One axial slice (535 of 738, counting up from the lowest) of an arterial-phase abdominal CT acquired with 120 kVp, kernel I30f; each pixel is 0.789 mm and the slice is 1.00 mm thick.
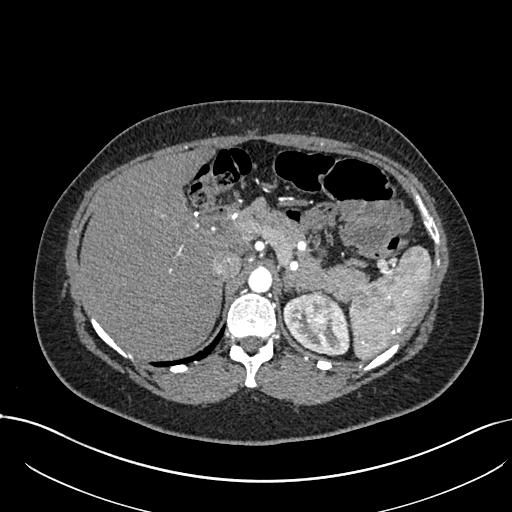
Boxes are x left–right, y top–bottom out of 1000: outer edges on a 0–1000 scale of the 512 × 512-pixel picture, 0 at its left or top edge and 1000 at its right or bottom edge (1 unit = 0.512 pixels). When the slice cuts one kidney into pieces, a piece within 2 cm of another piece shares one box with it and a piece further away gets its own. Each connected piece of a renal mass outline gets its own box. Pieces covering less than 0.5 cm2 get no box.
Two boxes on this slice (one kidney box and one renal mass box), listed by box centre from the image's left to its right. (1) Box x 555–684, y 572–697 out of 1000: left kidney (outlined area 2,230 px, about 13.9 cm2). (2) Left renal mass, box x 594–648, y 568–656 out of 1000 (outlined area 998 px, about 6.2 cm2).